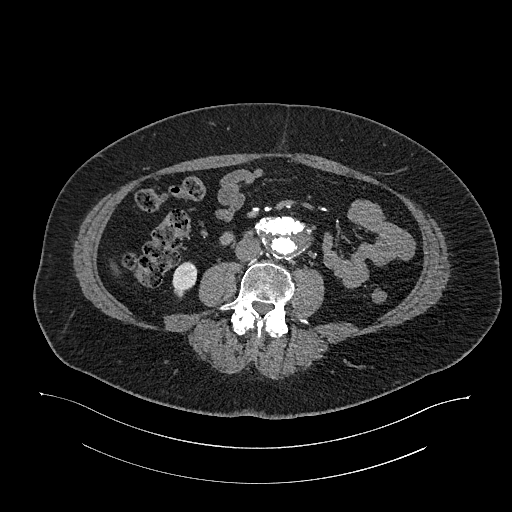
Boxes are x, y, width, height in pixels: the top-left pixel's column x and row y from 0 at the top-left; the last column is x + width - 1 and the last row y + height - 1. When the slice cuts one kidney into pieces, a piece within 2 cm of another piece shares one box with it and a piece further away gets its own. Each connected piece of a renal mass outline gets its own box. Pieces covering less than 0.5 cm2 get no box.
Slice 534/987 of a contrast-enhanced abdominal CT in the arterial phase, counting up from the lowest; pixel size 0.977 mm, slice thickness 1.00 mm. Right kidney at x 172, y 261, width 26, height 38 (outlined area 653 px, about 6.2 cm2). No renal mass outline on this slice.
Acquired at 120 kVp and reconstructed with the I26f kernel.